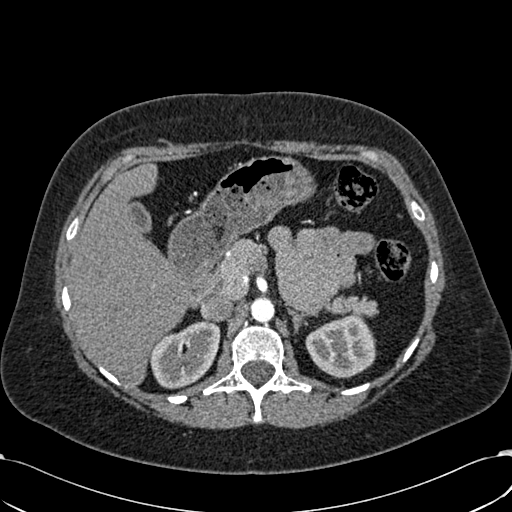
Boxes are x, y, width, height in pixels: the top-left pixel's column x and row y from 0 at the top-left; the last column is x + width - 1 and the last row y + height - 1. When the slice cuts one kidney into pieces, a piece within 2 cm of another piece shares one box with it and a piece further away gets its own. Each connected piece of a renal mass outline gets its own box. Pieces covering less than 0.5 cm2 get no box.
Slice 420/532 of a contrast-enhanced abdominal CT in the arterial phase, counting up from the lowest; pixel size 0.713 mm, slice thickness 1.00 mm. Boxed on this slice (two kidney boxes), listed by box centre from the image's left to its right: (1) Right kidney at x 148, y 320, width 73, height 70 (outlined area 3,454 px, about 17.6 cm2). (2) Left kidney at x 305, y 315, width 72, height 64 (outlined area 3,332 px, about 16.9 cm2). This slice carries no renal mass outline.
Scan settings: 120 kVp, B30f reconstruction kernel.